Abdominal CT with intravenous contrast, arterial phase, axial plane, 100 kVp, kernel I26f. Slice 286/665 from the bottom of the scan; thickness 1.00 mm; pixel size 0.828 mm.
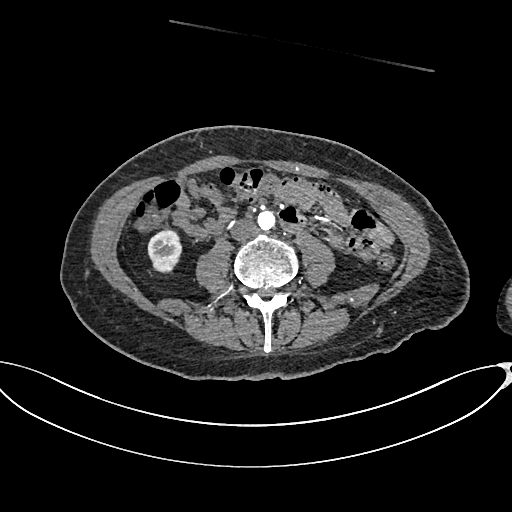
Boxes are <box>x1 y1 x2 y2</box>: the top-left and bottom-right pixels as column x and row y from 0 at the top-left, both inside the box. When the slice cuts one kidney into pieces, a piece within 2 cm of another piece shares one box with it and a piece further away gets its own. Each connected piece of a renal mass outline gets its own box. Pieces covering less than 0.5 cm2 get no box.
At <box>147 230 182 273</box>: right kidney (outlined area 1,192 px, about 8.2 cm2). No renal mass outline on this slice.